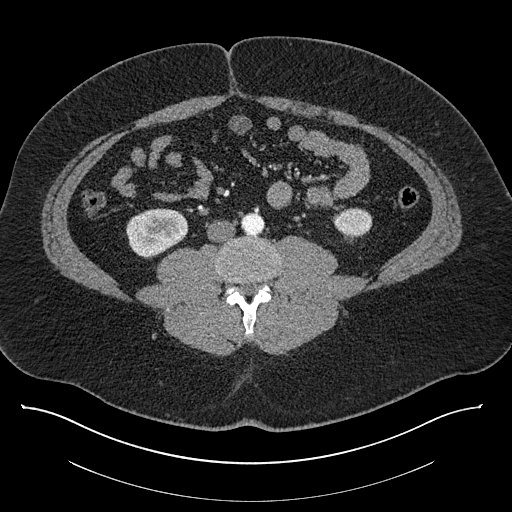
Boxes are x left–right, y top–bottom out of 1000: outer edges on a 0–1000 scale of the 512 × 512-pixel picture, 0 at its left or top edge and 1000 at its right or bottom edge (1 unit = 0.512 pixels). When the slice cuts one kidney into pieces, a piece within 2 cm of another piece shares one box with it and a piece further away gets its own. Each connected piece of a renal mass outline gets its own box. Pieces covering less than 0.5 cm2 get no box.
Slice 356/787 of a contrast-enhanced abdominal CT, counting up from the lowest; pixel size 0.910 mm, slice thickness 1.00 mm. Two boxes on this slice (two kidney boxes), listed by box centre from the image's left to its right. (1) Box x 246–369, y 406–502 out of 1000: right kidney (outlined area 2,321 px, about 19.2 cm2). (2) Left kidney, box x 648–729, y 404–465 out of 1000 (outlined area 942 px, about 7.8 cm2). This slice carries no renal mass outline.
Scan settings: 140 kVp, I30f reconstruction kernel.